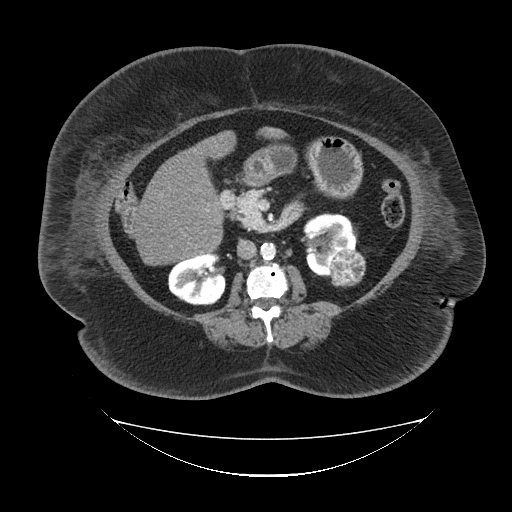
One axial slice (56 of 85, counting up from the lowest) of an arterial-phase abdominal CT acquired with 120 kVp, kernel FC19; each pixel is 1.041 mm and the slice is 5.00 mm thick.
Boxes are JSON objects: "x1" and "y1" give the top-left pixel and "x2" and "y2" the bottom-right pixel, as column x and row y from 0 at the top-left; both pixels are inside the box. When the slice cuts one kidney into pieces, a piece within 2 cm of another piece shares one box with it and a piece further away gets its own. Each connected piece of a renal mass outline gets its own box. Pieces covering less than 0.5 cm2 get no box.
Three boxes on this slice (two kidney boxes and one renal mass box), listed by box centre from the image's left to its right. (1) Box {"x1": 168, "y1": 253, "x2": 226, "y2": 305}: right kidney (outlined area 2,421 px, about 26.2 cm2). (2) Left kidney, box {"x1": 303, "y1": 212, "x2": 357, "y2": 275} (outlined area 2,346 px, about 25.4 cm2). (3) Left renal mass, box {"x1": 329, "y1": 249, "x2": 365, "y2": 286} (outlined area 1,132 px, about 12.3 cm2).